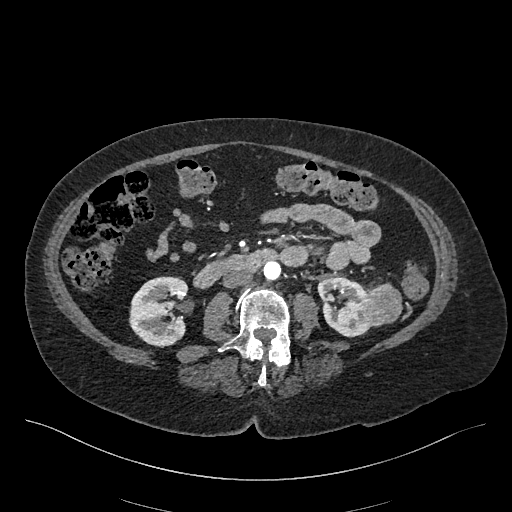
Axial slice 211 of 548 of a contrast-enhanced abdominal CT in the arterial phase (slice 1 is the lowest), 120 kVp, kernel I26f; 1.00 mm slice thickness and 0.852 mm pixels.
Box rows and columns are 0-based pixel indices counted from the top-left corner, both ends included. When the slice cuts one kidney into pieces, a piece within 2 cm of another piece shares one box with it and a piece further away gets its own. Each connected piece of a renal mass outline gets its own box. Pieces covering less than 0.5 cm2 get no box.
Three boxes on this slice (two kidney boxes and one renal mass box), listed by box centre from the image's left to its right. (1) Right kidney at rows 276–347, columns 129–188 (outlined area 3,380 px, about 24.5 cm2). (2) Left kidney at rows 276–337, columns 317–369 (outlined area 2,301 px, about 16.7 cm2). (3) Box rows 282–327, columns 362–402: left renal mass (outlined area 1,412 px, about 10.2 cm2).